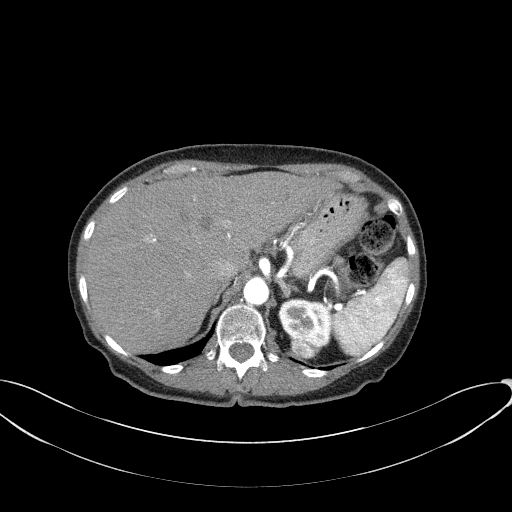
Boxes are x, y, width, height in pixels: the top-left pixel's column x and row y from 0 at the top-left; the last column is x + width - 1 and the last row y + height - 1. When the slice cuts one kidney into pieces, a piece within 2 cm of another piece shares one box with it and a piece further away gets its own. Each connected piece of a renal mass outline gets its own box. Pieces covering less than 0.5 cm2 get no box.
This is axial slice 52 of 77 (slice 1 is the lowest) of an arterial-phase abdominal CT with contrast; each pixel is 0.809 mm and the slice is 3.00 mm thick. One kidney box and one renal mass box on this slice; by box centre, from the image's left to its right: (1) Left kidney at x 278, y 298, width 54, height 48 (outlined area 1,796 px, about 11.7 cm2). (2) Left renal mass at x 290, y 333, width 31, height 27 (outlined area 606 px, about 4.0 cm2).
Acquired at 100 kVp and reconstructed with the B41f kernel.